One axial slice (310 of 705, counting up from the lowest) of an arterial-phase abdominal CT acquired with 120 kVp, kernel I30f; each pixel is 0.703 mm and the slice is 1.00 mm thick.
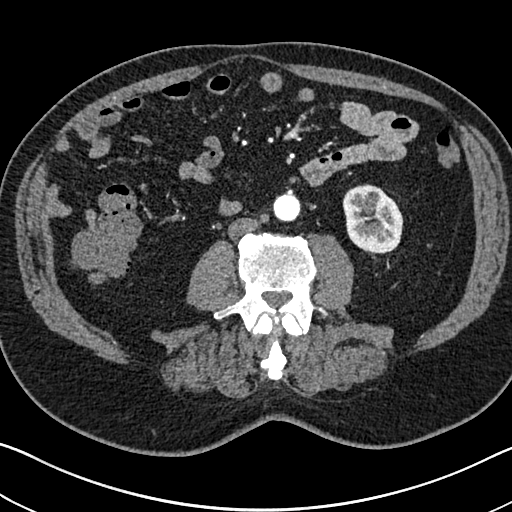
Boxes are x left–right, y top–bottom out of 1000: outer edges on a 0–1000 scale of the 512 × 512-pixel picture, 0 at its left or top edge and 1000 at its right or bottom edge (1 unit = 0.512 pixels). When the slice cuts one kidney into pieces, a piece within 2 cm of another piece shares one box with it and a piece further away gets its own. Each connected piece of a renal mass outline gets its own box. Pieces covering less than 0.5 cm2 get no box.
Left kidney at x 668–789, y 359–498 out of 1000 (outlined area 3,316 px, about 16.4 cm2). This slice carries no renal mass outline.